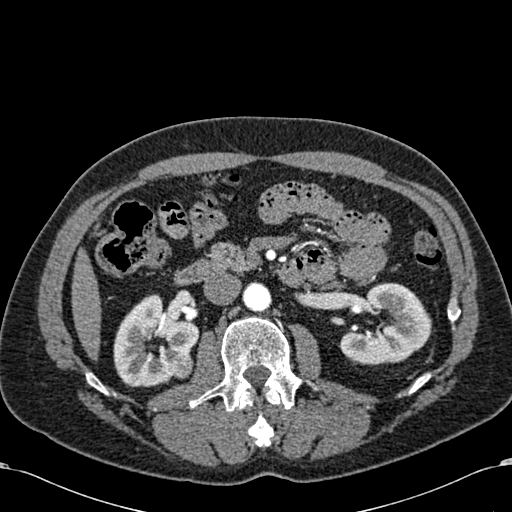
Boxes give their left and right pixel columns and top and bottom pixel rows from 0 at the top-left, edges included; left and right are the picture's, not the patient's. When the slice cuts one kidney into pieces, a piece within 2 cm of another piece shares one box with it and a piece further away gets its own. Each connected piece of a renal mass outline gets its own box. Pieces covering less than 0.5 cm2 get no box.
Slice 350/581 of a contrast-enhanced abdominal CT in the arterial phase, counting up from the lowest; pixel size 0.713 mm, slice thickness 1.00 mm. Three boxes on this slice (two kidney boxes and one renal mass box), listed by box centre from the image's left to its right. (1) Right kidney in the box with left 113, top 294, right 199, bottom 387 (outlined area 5,227 px, about 26.6 cm2). (2) Right renal mass, the box with left 169, top 351, right 193, bottom 378 (outlined area 539 px, about 2.7 cm2). (3) Left kidney in the box with left 339, top 282, right 431, bottom 365 (outlined area 5,040 px, about 25.6 cm2).
Tube voltage 120 kVp; convolution kernel B30f.